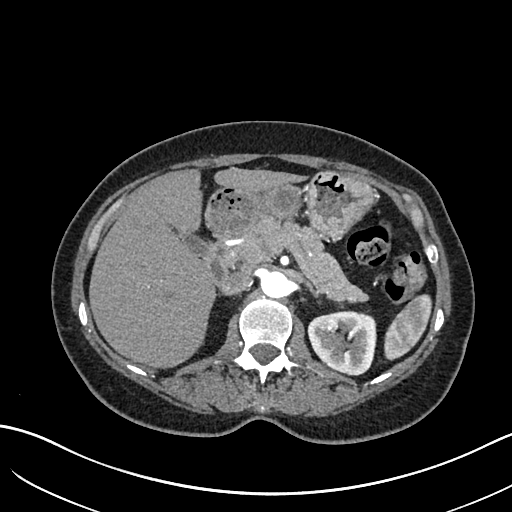
Abdominal CT with intravenous contrast, arterial phase, axial plane, 120 kVp, kernel I30f. Slice 431/683 from the bottom of the scan; thickness 1.00 mm; pixel size 0.738 mm.
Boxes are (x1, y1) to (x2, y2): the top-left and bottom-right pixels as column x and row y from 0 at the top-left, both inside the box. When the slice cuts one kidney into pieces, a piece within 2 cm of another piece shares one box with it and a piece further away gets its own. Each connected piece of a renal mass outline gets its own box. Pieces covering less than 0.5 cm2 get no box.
Left kidney, box (307, 310) to (376, 375) (outlined area 3,569 px, about 19.5 cm2). No renal mass outline on this slice.